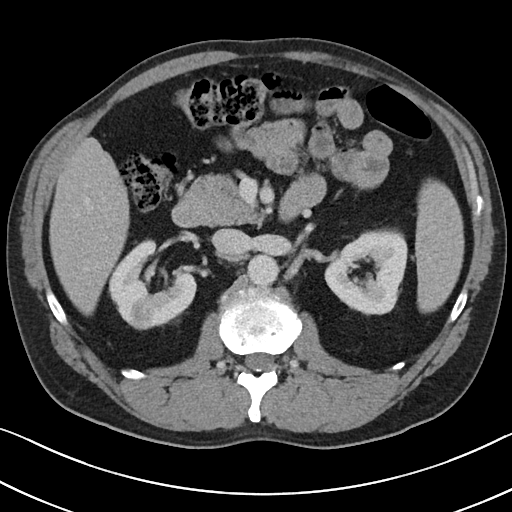
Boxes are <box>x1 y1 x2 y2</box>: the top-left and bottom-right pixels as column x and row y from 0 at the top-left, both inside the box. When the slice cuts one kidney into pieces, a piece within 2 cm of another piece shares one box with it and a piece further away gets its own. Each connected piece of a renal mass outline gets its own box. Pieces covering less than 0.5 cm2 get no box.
Slice 67/101 of a contrast-enhanced abdominal CT, counting up from the lowest; pixel size 0.684 mm, slice thickness 5.00 mm. Three boxes on this slice (two kidney boxes and one renal mass box), listed by box centre from the image's left to its right. (1) Right renal mass: <box>125 298 155 330</box> (outlined area 770 px, about 3.6 cm2). (2) At <box>108 239 196 326</box>: right kidney (outlined area 4,143 px, about 19.4 cm2). (3) At <box>324 228 407 314</box>: left kidney (outlined area 5,130 px, about 24.0 cm2).
Acquired at 100 kVp and reconstructed with the I40f kernel.